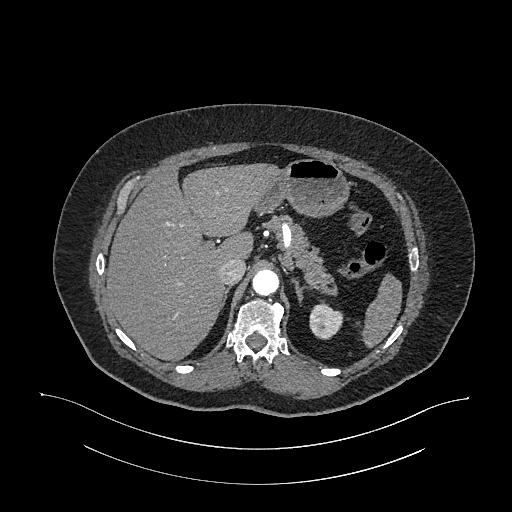
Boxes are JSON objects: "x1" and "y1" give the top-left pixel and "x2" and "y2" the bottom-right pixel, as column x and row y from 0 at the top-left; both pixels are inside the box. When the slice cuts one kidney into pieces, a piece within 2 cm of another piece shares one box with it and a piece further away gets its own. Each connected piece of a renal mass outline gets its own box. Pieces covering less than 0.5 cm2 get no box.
Arterial-phase contrast-enhanced abdominal CT, axial slice 790 of 987 (counted from the lowest slice); 1.00 mm thick, 0.977 mm per pixel. Left kidney at {"x1": 309, "y1": 302, "x2": 343, "y2": 339} (outlined area 949 px, about 9.1 cm2). No renal mass is outlined on this slice.
Scan settings: 120 kVp, I26f reconstruction kernel.